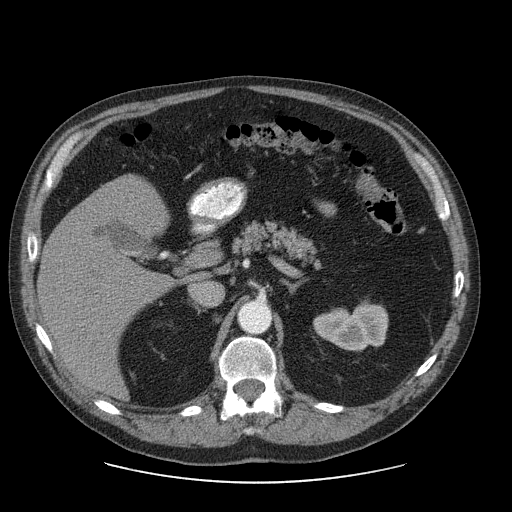
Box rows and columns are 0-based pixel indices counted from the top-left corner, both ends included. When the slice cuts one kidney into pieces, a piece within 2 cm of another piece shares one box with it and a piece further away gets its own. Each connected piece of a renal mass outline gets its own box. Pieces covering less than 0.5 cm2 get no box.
Slice 58/103 of a contrast-enhanced abdominal CT, counting up from the lowest; pixel size 0.820 mm, slice thickness 2.50 mm. Box rows 302–351, columns 313–388: left kidney (outlined area 2,736 px, about 18.4 cm2). No renal mass outline on this slice.
Tube voltage 120 kVp; convolution kernel STANDARD.